One axial slice (398 of 735, counting up from the lowest) of an arterial-phase abdominal CT acquired with 120 kVp, kernel I30f; each pixel is 0.789 mm and the slice is 1.00 mm thick.
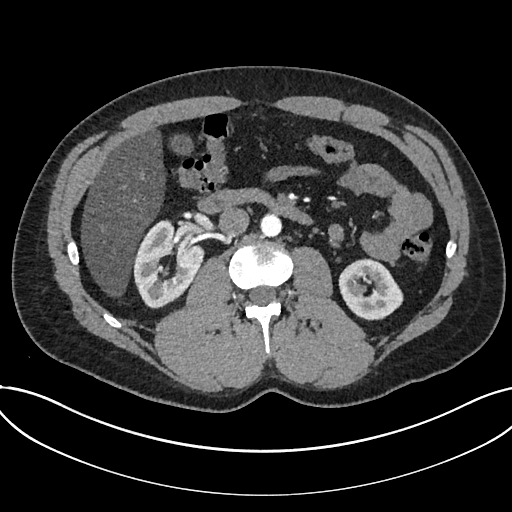
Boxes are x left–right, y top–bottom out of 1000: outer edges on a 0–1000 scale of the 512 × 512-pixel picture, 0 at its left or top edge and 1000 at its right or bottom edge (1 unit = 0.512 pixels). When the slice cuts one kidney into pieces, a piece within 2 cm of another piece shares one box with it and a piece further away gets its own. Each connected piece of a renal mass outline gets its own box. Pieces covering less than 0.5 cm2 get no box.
Two boxes on this slice (two kidney boxes), listed by box centre from the image's left to its right. (1) Box x 260–398, y 430–604 out of 1000: kidney (outlined area 4,209 px, about 26.2 cm2). (2) Box x 660–789, y 504–627 out of 1000: kidney (outlined area 2,924 px, about 18.2 cm2). This slice carries no renal mass outline.